One axial slice (25 of 48, counting up from the lowest) of a contrast-enhanced abdominal CT acquired with 120 kVp, kernel B30f; each pixel is 0.736 mm and the slice is 5.00 mm thick.
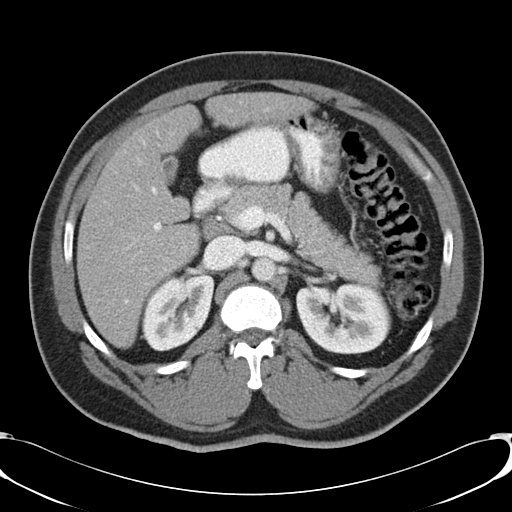
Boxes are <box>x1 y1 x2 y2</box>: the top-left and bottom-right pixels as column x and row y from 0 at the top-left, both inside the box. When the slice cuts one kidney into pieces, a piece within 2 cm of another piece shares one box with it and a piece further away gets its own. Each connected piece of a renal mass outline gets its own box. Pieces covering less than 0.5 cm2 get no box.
Two kidney boxes on this slice; by box centre, from the image's left to its right: (1) Right kidney at <box>141 274 214 351</box> (outlined area 4,113 px, about 22.3 cm2). (2) At <box>296 282 391 354</box>: left kidney (outlined area 5,505 px, about 29.8 cm2). No renal mass is outlined on this slice.